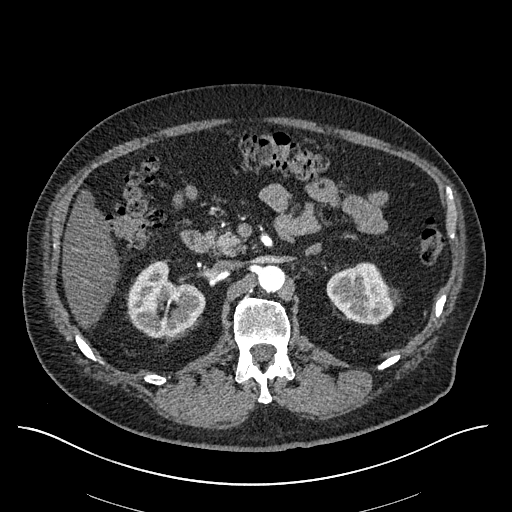
Axial slice 368 of 670 of a contrast-enhanced abdominal CT in the arterial phase (slice 1 is the lowest), 120 kVp, kernel I30f; 1.00 mm slice thickness and 0.861 mm pixels.
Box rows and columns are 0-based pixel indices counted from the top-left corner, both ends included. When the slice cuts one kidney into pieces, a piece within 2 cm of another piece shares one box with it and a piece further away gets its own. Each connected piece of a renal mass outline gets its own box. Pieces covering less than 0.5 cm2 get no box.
Two kidney boxes on this slice; by box centre, from the image's left to its right: (1) Right kidney, box rows 260–338, columns 127–205 (outlined area 4,113 px, about 30.5 cm2). (2) Box rows 262–324, columns 326–400: left kidney (outlined area 3,185 px, about 23.6 cm2). No renal mass is outlined on this slice.